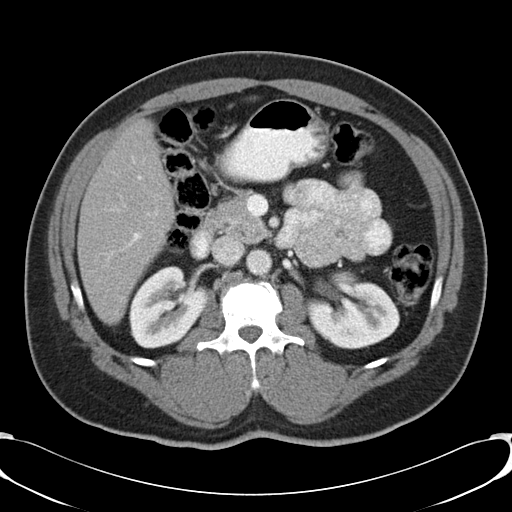
Axial slice 21 of 48 of a contrast-enhanced abdominal CT (slice 1 is the lowest), 120 kVp, kernel B30f; 5.00 mm slice thickness and 0.736 mm pixels.
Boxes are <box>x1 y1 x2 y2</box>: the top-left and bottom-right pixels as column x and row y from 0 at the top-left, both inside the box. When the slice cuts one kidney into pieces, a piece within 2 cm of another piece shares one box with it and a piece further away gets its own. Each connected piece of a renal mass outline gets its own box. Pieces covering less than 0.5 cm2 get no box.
Two kidney boxes on this slice; by box centre, from the image's left to its right: (1) Right kidney at <box>129 266 208 348</box> (outlined area 4,701 px, about 25.5 cm2). (2) At <box>303 270 399 349</box>: left kidney (outlined area 5,325 px, about 28.9 cm2). This slice carries no renal mass outline.